Axial slice 268 of 538 of a contrast-enhanced abdominal CT in the arterial phase (slice 1 is the lowest), 120 kVp, kernel B30f; 1.00 mm slice thickness and 0.811 mm pixels.
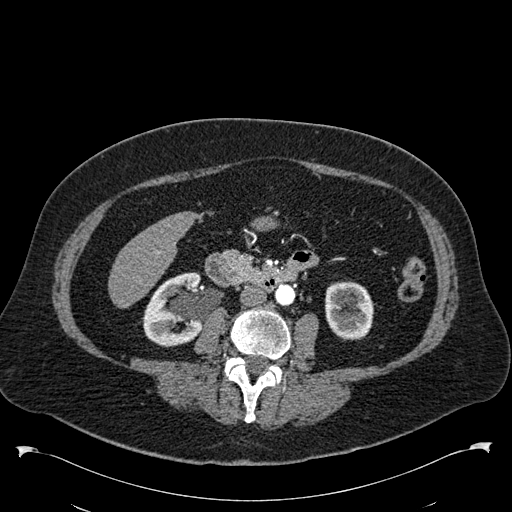
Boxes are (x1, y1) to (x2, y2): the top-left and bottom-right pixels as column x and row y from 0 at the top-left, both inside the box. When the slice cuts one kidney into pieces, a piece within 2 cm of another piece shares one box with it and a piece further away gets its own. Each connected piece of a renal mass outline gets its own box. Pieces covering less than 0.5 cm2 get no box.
Boxed on this slice (two kidney boxes), listed by box centre from the image's left to its right: (1) Right kidney from (142, 272) to (203, 347) (outlined area 3,469 px, about 22.8 cm2). (2) Box (325, 281) to (374, 340): left kidney (outlined area 2,410 px, about 15.8 cm2). No renal mass outline on this slice.